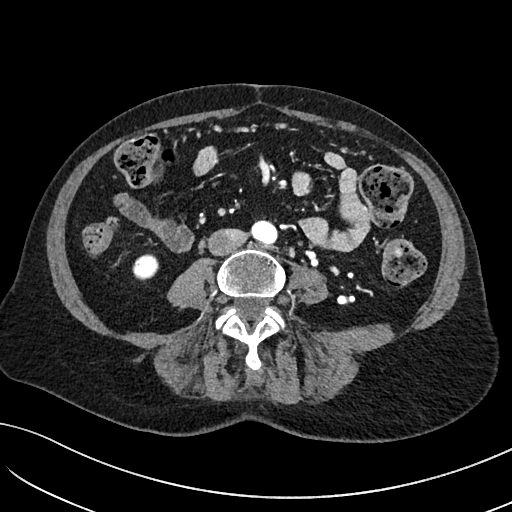
Arterial-phase contrast-enhanced abdominal CT, axial slice 4 of 234 (counted from the lowest slice); tube voltage 100 kVp, convolution kernel I40f; slices 2.00 mm thick, 0.699 mm per pixel.
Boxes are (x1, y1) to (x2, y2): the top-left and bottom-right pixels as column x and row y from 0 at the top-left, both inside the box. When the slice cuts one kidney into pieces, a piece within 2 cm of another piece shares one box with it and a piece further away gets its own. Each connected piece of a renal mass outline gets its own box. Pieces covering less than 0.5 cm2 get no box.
Box (132, 253) to (159, 279): right kidney (outlined area 557 px, about 2.7 cm2). This slice carries no renal mass outline.